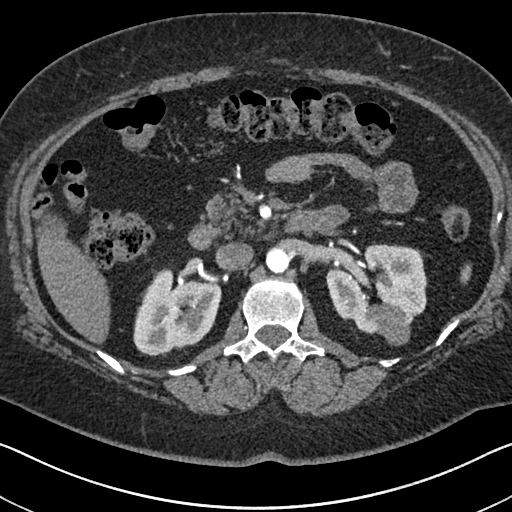
One axial slice (424 of 591, counting up from the lowest) of an arterial-phase abdominal CT acquired with 140 kVp, kernel I30f; each pixel is 0.703 mm and the slice is 1.00 mm thick.
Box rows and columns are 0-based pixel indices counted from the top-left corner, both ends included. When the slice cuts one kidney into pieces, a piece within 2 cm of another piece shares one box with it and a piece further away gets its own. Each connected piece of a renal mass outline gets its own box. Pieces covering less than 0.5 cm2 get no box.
Two kidney boxes and one renal mass box on this slice; by box centre, from the image's left to its right: (1) Box rows 267–355, columns 133–221: right kidney (outlined area 5,780 px, about 28.6 cm2). (2) Left kidney, box rows 243–334, columns 326–427 (outlined area 5,931 px, about 29.3 cm2). (3) Box rows 304–345, columns 374–410: left renal mass (outlined area 1,120 px, about 5.5 cm2).